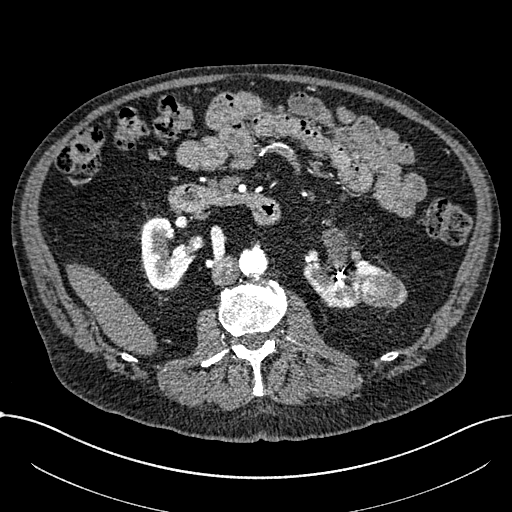
Axial slice 373 of 1059 of a contrast-enhanced abdominal CT in the arterial phase (slice 1 is the lowest), 100 kVp, kernel I30f; 1.00 mm slice thickness and 0.811 mm pixels.
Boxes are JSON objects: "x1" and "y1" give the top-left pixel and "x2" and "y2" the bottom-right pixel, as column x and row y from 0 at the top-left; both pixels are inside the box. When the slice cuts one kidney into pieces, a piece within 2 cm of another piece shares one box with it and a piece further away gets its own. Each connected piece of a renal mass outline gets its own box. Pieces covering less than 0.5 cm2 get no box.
Two kidney boxes and one renal mass box on this slice; by box centre, from the image's left to its right: (1) Box {"x1": 141, "y1": 216, "x2": 204, "y2": 290}: right part of the midline-crossing kidney (outlined area 2,908 px, about 19.1 cm2). (2) Left part of the midline-crossing kidney at {"x1": 303, "y1": 255, "x2": 391, "y2": 308} (outlined area 2,689 px, about 17.7 cm2). (3) Renal mass at {"x1": 362, "y1": 273, "x2": 407, "y2": 308} (outlined area 1,304 px, about 8.6 cm2).